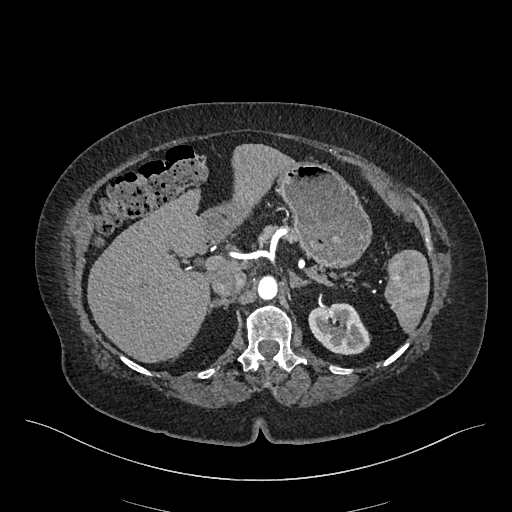
Abdominal CT with intravenous contrast, arterial phase, axial plane, 120 kVp, kernel I26f. Slice 326/548 from the bottom of the scan; thickness 1.00 mm; pixel size 0.852 mm.
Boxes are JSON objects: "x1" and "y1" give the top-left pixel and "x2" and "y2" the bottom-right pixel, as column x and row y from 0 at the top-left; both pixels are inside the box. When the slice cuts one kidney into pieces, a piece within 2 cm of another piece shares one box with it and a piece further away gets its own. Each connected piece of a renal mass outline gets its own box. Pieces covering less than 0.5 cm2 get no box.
Left kidney, box {"x1": 308, "y1": 303, "x2": 370, "y2": 354} (outlined area 2,409 px, about 17.5 cm2). This slice carries no renal mass outline.